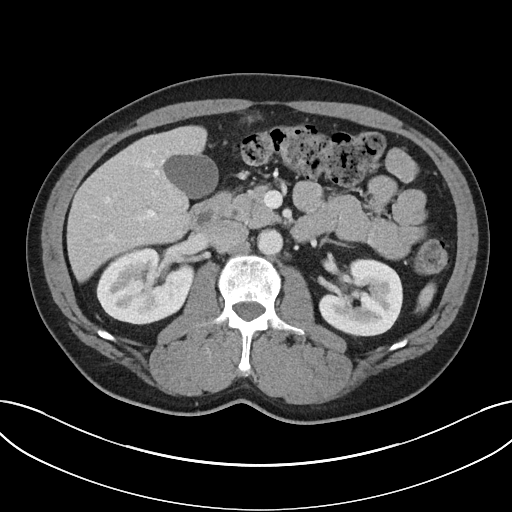
Axial slice 17 of 32 of a contrast-enhanced abdominal CT in the arterial phase (slice 1 is the lowest), 100 kVp, kernel I40f; 5.00 mm slice thickness and 0.779 mm pixels.
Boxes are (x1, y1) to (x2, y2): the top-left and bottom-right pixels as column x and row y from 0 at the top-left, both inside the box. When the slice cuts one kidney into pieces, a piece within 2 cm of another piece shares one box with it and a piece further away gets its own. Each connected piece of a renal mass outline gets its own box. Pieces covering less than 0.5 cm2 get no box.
Boxed on this slice (two kidney boxes), listed by box centre from the image's left to its right: (1) Box (96, 245) to (194, 324): right kidney (outlined area 5,804 px, about 35.2 cm2). (2) Left kidney, box (319, 258) to (403, 336) (outlined area 5,024 px, about 30.5 cm2). No renal mass is outlined on this slice.